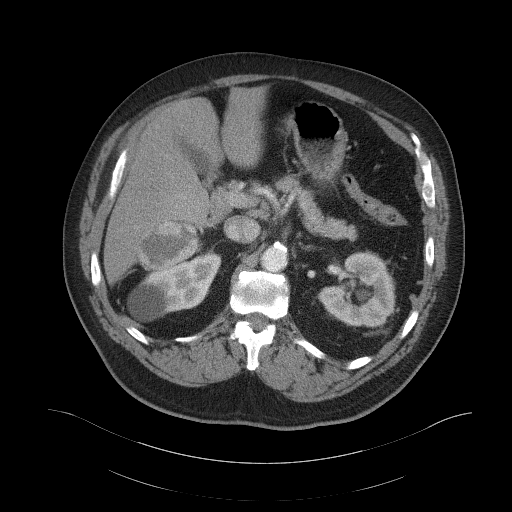
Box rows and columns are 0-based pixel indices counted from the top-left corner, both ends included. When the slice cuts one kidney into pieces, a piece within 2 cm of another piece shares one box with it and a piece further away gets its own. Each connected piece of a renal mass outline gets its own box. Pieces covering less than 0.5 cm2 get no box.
This is axial slice 78 of 103 (slice 1 is the lowest) of an arterial-phase abdominal CT with contrast; each pixel is 0.951 mm and the slice is 5.00 mm thick. Boxed on this slice (two kidney boxes and one renal mass box), listed by box centre from the image's left to its right: (1) Right renal mass at rows 219–271, columns 135–202 (outlined area 2,628 px, about 23.8 cm2). (2) Right kidney, box rows 250–321, columns 128–221 (outlined area 3,840 px, about 34.7 cm2). (3) Left kidney, box rows 250–327, columns 317–395 (outlined area 4,319 px, about 39.1 cm2).
Scan settings: 120 kVp, B41f reconstruction kernel.